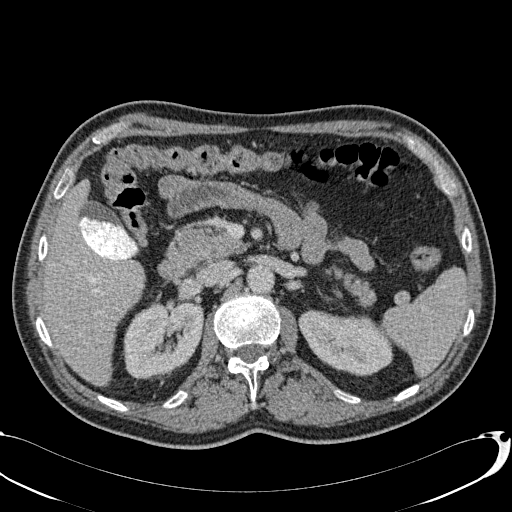
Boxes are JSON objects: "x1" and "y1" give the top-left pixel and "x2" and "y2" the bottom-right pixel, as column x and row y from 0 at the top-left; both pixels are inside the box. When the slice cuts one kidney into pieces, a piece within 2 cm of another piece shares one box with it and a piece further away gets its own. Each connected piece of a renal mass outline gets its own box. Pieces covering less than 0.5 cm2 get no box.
Contrast-enhanced abdominal CT, axial slice 54 of 113 (counted from the lowest slice); 2.00 mm thick, 0.742 mm per pixel. Two boxes on this slice (two kidney boxes), listed by box centre from the image's left to its right. (1) Box {"x1": 122, "y1": 300, "x2": 202, "y2": 379}: right kidney (outlined area 4,951 px, about 27.3 cm2). (2) Left kidney at {"x1": 298, "y1": 309, "x2": 393, "y2": 376} (outlined area 4,491 px, about 24.7 cm2). This slice carries no renal mass outline.
Acquired at 120 kVp and reconstructed with the B31f kernel.